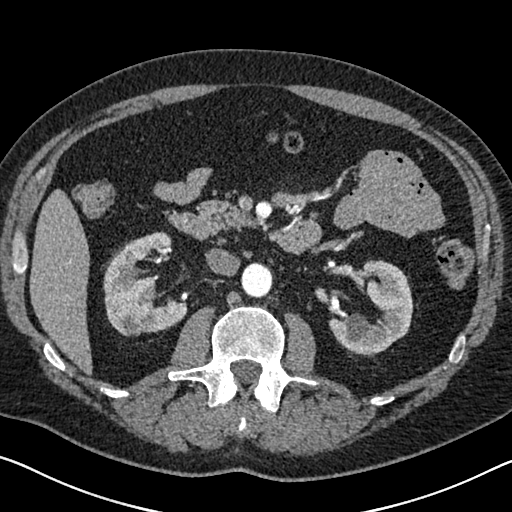
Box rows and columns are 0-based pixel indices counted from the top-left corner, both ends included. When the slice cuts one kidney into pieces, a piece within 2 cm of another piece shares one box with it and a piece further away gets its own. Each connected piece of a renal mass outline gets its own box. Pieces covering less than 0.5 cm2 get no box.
Arterial-phase contrast-enhanced abdominal CT, axial slice 392 of 626 (counted from the lowest slice); 1.00 mm thick, 0.703 mm per pixel. Two boxes on this slice (two kidney boxes), listed by box centre from the image's left to its right. (1) Right kidney at rows 231–336, columns 103–187 (outlined area 5,658 px, about 28.0 cm2). (2) Left kidney at rows 260–354, columns 328–413 (outlined area 4,905 px, about 24.2 cm2). No renal mass outline on this slice.
Acquired at 120 kVp and reconstructed with the I30f kernel.